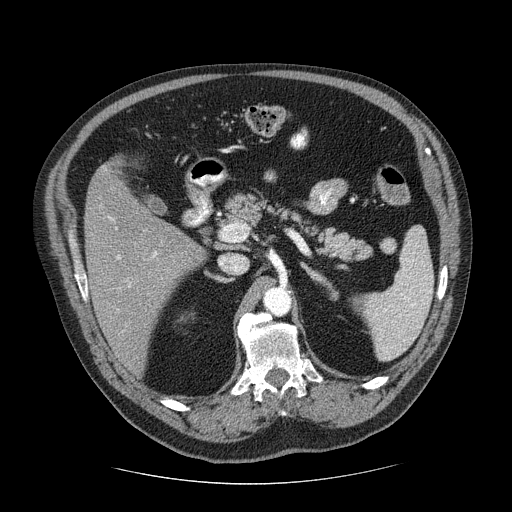
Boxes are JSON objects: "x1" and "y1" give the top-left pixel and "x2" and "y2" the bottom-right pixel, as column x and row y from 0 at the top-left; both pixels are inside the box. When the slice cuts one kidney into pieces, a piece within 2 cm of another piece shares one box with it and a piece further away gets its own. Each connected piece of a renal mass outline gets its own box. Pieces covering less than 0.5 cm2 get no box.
This is axial slice 150 of 206 (slice 1 is the lowest) of an abdominal CT with contrast; each pixel is 0.879 mm and the slice is 2.50 mm thick. Right kidney, box {"x1": 176, "y1": 312, "x2": 195, "y2": 322} (outlined area 126 px, about 1.0 cm2). No renal mass outline on this slice.
Tube voltage 120 kVp; convolution kernel STANDARD.